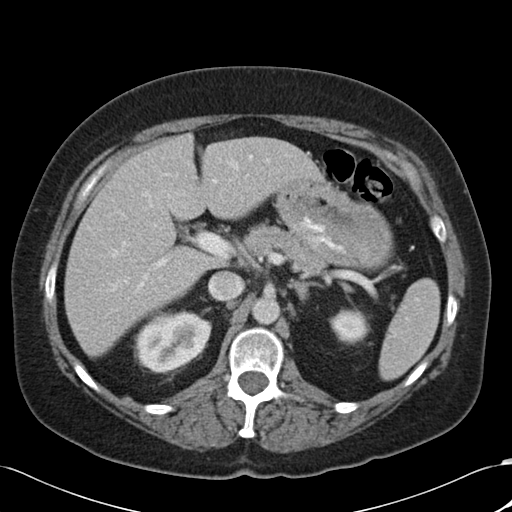
Axial slice 69 of 88 of a contrast-enhanced abdominal CT in the arterial phase (slice 1 is the lowest), 120 kVp, kernel B30f; 5.00 mm slice thickness and 0.691 mm pixels.
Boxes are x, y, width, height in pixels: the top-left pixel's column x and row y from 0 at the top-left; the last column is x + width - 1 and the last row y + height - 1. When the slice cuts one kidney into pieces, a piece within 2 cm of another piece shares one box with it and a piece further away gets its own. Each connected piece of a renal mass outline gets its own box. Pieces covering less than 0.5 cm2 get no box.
Two boxes on this slice (two kidney boxes), listed by box centre from the image's left to its right. (1) Right kidney, box x 135, y 309, width 77, height 64 (outlined area 3,605 px, about 17.2 cm2). (2) Left kidney, box x 329, y 307, width 42, height 39 (outlined area 1,128 px, about 5.4 cm2). No renal mass is outlined on this slice.